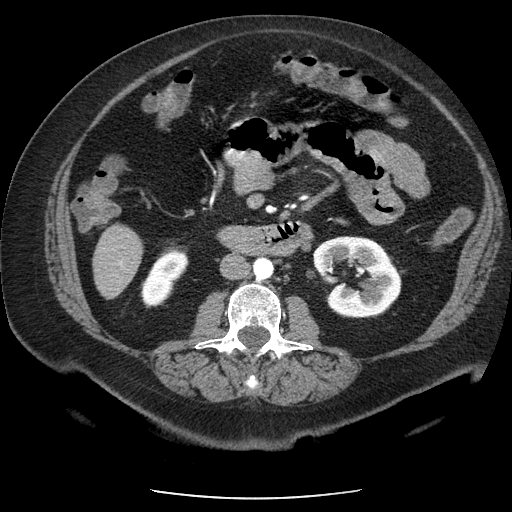
One axial slice (112 of 186, counting up from the lowest) of an arterial-phase abdominal CT acquired with 120 kVp, kernel STANDARD; each pixel is 0.742 mm and the slice is 2.50 mm thick.
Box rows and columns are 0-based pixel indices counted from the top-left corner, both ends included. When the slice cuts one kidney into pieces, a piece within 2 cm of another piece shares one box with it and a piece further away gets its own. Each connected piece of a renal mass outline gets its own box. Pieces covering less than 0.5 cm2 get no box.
Two boxes on this slice (two kidney boxes), listed by box centre from the image's left to its right. (1) Right kidney at rows 247–308, columns 140–188 (outlined area 1,778 px, about 9.8 cm2). (2) Left kidney at rows 236–318, columns 313–401 (outlined area 5,155 px, about 28.4 cm2). No renal mass is outlined on this slice.